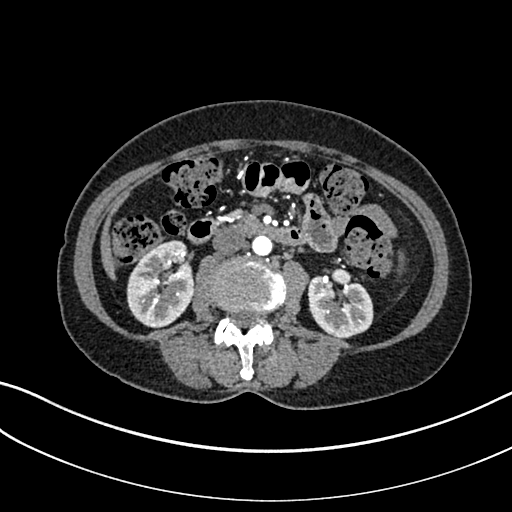
Abdominal CT with intravenous contrast, arterial phase, axial plane, 100 kVp, kernel I30f. Slice 128/325 from the bottom of the scan; thickness 1.00 mm; pixel size 0.703 mm.
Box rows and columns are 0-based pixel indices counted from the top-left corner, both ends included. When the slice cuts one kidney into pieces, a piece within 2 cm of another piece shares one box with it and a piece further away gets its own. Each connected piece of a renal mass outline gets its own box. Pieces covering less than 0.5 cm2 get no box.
Two kidney boxes on this slice; by box centre, from the image's left to its right: (1) Box rows 240–327, columns 126–195: right kidney (outlined area 4,532 px, about 22.4 cm2). (2) Left kidney, box rows 267–338, columns 307–373 (outlined area 3,444 px, about 17.0 cm2). No renal mass is outlined on this slice.